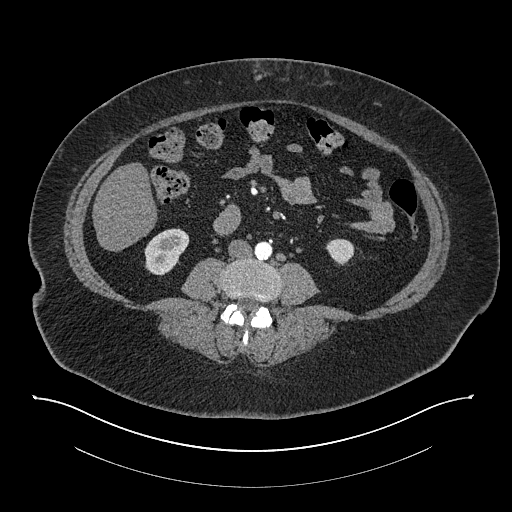
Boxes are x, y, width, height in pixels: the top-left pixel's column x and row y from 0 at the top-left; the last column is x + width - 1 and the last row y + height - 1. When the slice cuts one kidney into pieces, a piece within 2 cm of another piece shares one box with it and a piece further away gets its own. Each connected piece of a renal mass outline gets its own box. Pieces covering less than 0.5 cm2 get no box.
This is axial slice 351 of 673 (slice 1 is the lowest) of an arterial-phase abdominal CT with contrast; each pixel is 0.957 mm and the slice is 1.00 mm thick. Two boxes on this slice (two kidney boxes), listed by box centre from the image's left to its right. (1) Right kidney, box x 144, y 228, width 46, height 48 (outlined area 1,511 px, about 13.8 cm2). (2) Left kidney, box x 325, y 238, width 30, height 28 (outlined area 570 px, about 5.2 cm2). No renal mass is outlined on this slice.
Scan settings: 140 kVp, I30f reconstruction kernel.